Abdominal CT with intravenous contrast, axial plane, 120 kVp, kernel B31f. Slice 371/734 from the bottom of the scan; thickness 2.00 mm; pixel size 0.971 mm.
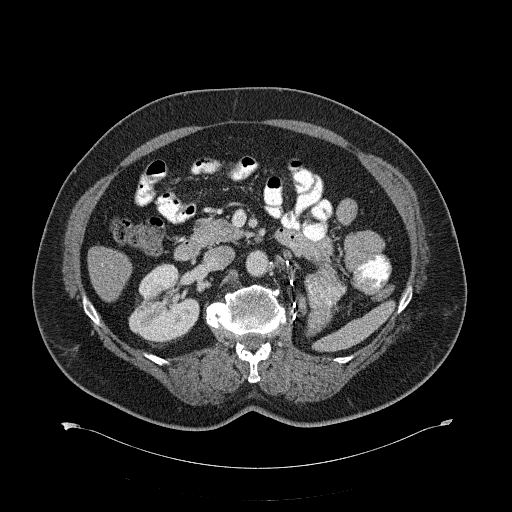
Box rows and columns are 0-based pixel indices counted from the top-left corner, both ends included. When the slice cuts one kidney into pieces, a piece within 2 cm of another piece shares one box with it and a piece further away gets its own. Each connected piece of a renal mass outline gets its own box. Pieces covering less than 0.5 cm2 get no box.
Box rows 263–339, columns 128–199: right kidney (outlined area 3,895 px, about 36.7 cm2). This slice carries no renal mass outline.